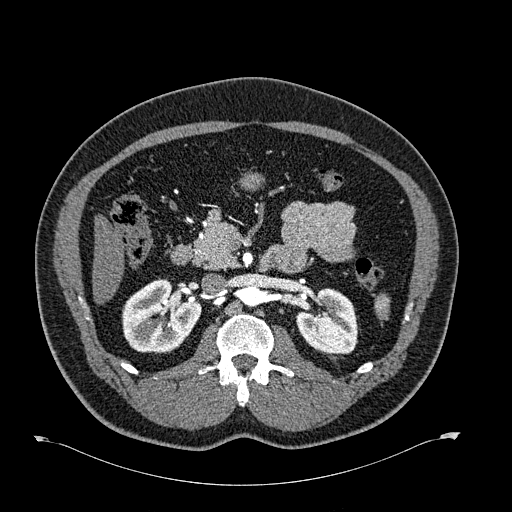
Axial slice 388 of 723 of a contrast-enhanced abdominal CT in the arterial phase (slice 1 is the lowest), 120 kVp, kernel B30f; 1.00 mm slice thickness and 0.895 mm pixels.
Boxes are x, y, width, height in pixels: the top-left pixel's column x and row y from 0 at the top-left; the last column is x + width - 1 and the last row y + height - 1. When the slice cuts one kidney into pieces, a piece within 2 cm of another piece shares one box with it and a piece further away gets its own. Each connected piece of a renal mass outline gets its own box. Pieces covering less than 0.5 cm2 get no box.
Two boxes on this slice (two kidney boxes), listed by box centre from the image's left to its right. (1) Box x 121, y 278, width 81, height 76: right kidney (outlined area 4,383 px, about 35.1 cm2). (2) Left kidney at x 296, y 288, width 63, height 67 (outlined area 3,081 px, about 24.7 cm2). No renal mass outline on this slice.